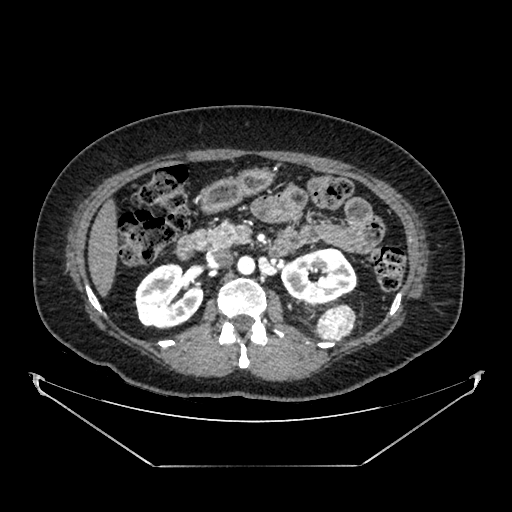
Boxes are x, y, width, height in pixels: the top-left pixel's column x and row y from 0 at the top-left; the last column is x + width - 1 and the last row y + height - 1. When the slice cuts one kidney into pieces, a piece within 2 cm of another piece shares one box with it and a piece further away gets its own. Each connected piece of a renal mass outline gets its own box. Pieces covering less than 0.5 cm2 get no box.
Slice 235/383 of a contrast-enhanced abdominal CT in the arterial phase, counting up from the lowest; pixel size 0.898 mm, slice thickness 1.25 mm. Three boxes on this slice (two kidney boxes and one renal mass box), listed by box centre from the image's left to its right. (1) Right kidney at x 134, y 263, width 70, height 67 (outlined area 3,484 px, about 28.1 cm2). (2) Left kidney at x 280, y 247, width 77, height 58 (outlined area 3,201 px, about 25.8 cm2). (3) Left renal mass at x 317, y 304, width 39, height 38 (outlined area 1,144 px, about 9.2 cm2).
Acquired at 100 kVp and reconstructed with the SOFT kernel.